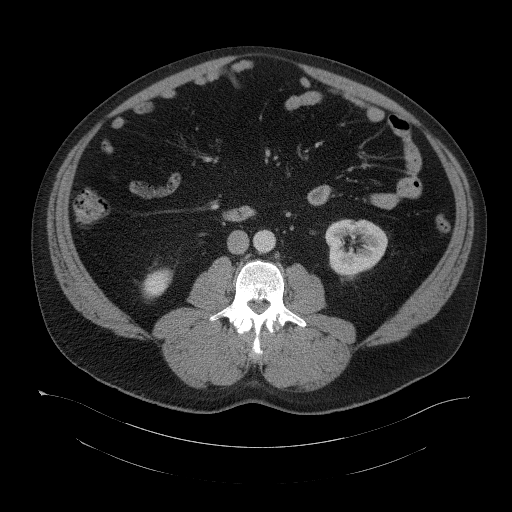
Abdominal CT with intravenous contrast, axial plane, 120 kVp, kernel B41f. Slice 58/104 from the bottom of the scan; thickness 5.00 mm; pixel size 0.977 mm.
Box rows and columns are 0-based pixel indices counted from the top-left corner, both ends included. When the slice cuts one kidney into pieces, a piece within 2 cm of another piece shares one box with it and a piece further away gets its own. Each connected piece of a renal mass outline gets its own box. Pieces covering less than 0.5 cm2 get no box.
Boxed on this slice (two kidney boxes), listed by box centre from the image's left to its right: (1) Box rows 268–299, columns 142–172: right kidney (outlined area 692 px, about 6.6 cm2). (2) Box rows 219–275, columns 325–387: left kidney (outlined area 2,745 px, about 26.2 cm2). This slice carries no renal mass outline.